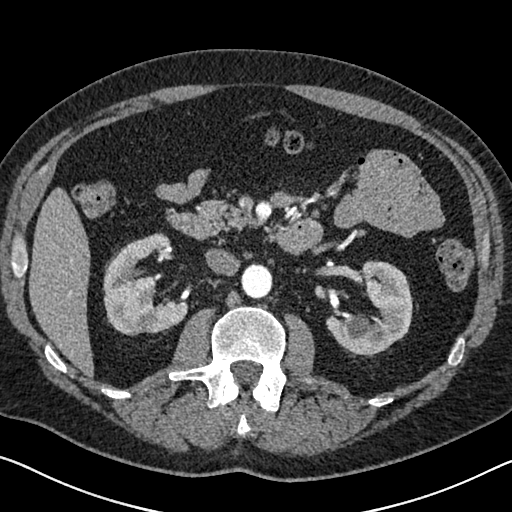
Axial slice 395 of 626 of a contrast-enhanced abdominal CT in the arterial phase (slice 1 is the lowest), 120 kVp, kernel I30f; 1.00 mm slice thickness and 0.703 mm pixels.
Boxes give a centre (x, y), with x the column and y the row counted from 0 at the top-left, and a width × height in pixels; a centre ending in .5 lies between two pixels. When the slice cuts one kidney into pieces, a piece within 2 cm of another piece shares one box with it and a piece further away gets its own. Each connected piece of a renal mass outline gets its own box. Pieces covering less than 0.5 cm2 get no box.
Boxed on this slice (two kidney boxes), listed by box centre from the image's left to its right: (1) Right kidney, box centre (145.5, 284), 86 × 103 pixels (outlined area 5,573 px, about 27.6 cm2). (2) Left kidney, box centre (368.5, 308), 88 × 97 pixels (outlined area 5,107 px, about 25.2 cm2). This slice carries no renal mass outline.